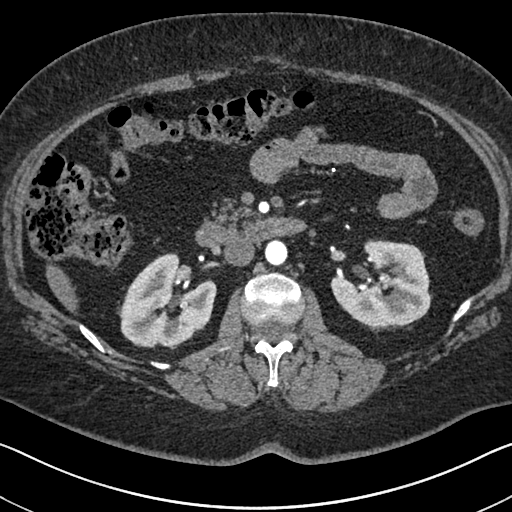
One axial slice (401 of 591, counting up from the lowest) of an arterial-phase abdominal CT acquired with 140 kVp, kernel I30f; each pixel is 0.703 mm and the slice is 1.00 mm thick.
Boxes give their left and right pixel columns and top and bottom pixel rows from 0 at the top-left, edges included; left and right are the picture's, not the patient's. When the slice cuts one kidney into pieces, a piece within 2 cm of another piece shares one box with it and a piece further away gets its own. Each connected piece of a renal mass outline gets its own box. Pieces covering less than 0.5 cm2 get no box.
Two boxes on this slice (two kidney boxes), listed by box centre from the image's left to its right. (1) Right kidney in the box with left 117, top 252, right 216, bottom 349 (outlined area 6,446 px, about 31.9 cm2). (2) Box with left 330, top 239, right 432, bottom 328: left kidney (outlined area 6,411 px, about 31.7 cm2). No renal mass outline on this slice.